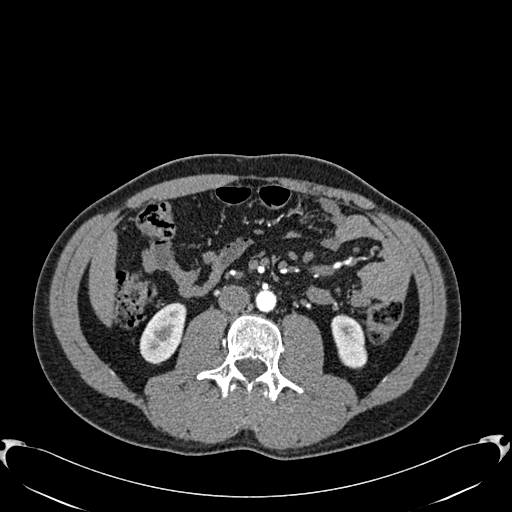
One axial slice (285 of 512, counting up from the lowest) of an arterial-phase abdominal CT acquired with 120 kVp, kernel B30f; each pixel is 0.771 mm and the slice is 1.00 mm thick.
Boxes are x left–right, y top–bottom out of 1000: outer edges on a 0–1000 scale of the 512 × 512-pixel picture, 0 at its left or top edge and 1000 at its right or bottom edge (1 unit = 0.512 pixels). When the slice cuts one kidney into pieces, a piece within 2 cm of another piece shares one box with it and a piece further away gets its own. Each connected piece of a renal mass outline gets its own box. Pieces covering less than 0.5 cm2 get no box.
Boxed on this slice (two kidney boxes), listed by box centre from the image's left to its right: (1) Right kidney, box x 271–365, y 590–713 out of 1000 (outlined area 2,039 px, about 12.1 cm2). (2) Left kidney at x 646–719, y 613–721 out of 1000 (outlined area 1,492 px, about 8.9 cm2). No renal mass outline on this slice.